One axial slice (44 of 234, counting up from the lowest) of an arterial-phase abdominal CT acquired with 100 kVp, kernel I40f; each pixel is 0.699 mm and the slice is 2.00 mm thick.
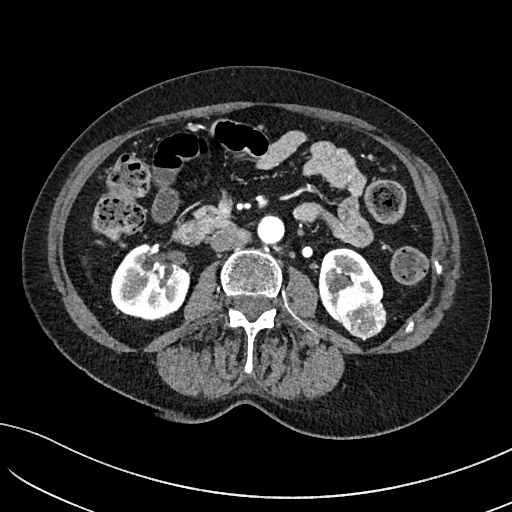
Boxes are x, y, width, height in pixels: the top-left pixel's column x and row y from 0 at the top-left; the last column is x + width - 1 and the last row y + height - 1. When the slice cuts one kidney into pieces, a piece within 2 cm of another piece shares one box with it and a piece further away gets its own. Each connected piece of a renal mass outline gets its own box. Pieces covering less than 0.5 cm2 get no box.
Three boxes on this slice (two kidney boxes and one renal mass box), listed by box centre from the image's left to its right. (1) Box x 110, y 243, width 81, height 78: right kidney (outlined area 4,574 px, about 22.4 cm2). (2) Left kidney at x 318, y 247, width 66, height 75 (outlined area 2,445 px, about 12.0 cm2). (3) Left renal mass, box x 334, y 286, width 53, height 54 (outlined area 2,122 px, about 10.4 cm2).